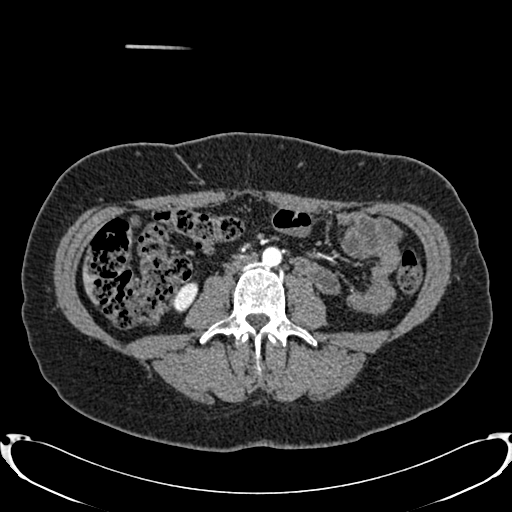
One axial slice (369 of 719, counting up from the lowest) of an arterial-phase abdominal CT acquired with 120 kVp, kernel B20f; each pixel is 0.766 mm and the slice is 1.00 mm thick.
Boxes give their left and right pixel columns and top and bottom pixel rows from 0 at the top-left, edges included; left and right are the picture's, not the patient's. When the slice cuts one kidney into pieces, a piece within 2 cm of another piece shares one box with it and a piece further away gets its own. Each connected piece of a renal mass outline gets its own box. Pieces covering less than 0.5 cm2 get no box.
Right kidney in the box with left 173, top 282, right 198, bottom 312 (outlined area 530 px, about 3.1 cm2). No renal mass outline on this slice.